One axial slice (268 of 735, counting up from the lowest) of an arterial-phase abdominal CT acquired with 120 kVp, kernel I30f; each pixel is 0.789 mm and the slice is 1.00 mm thick.
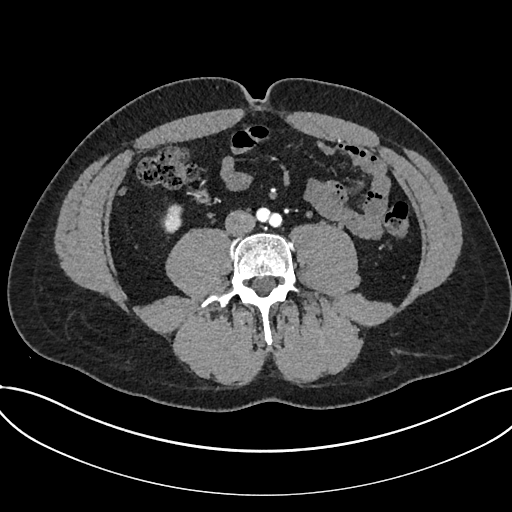
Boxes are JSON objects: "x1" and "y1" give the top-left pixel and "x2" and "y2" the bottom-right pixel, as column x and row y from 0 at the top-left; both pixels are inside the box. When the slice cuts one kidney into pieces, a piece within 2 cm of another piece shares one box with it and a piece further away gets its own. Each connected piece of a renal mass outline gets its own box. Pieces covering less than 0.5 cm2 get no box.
Box {"x1": 161, "y1": 204, "x2": 182, "y2": 233}: kidney (outlined area 474 px, about 3.0 cm2). No renal mass is outlined on this slice.